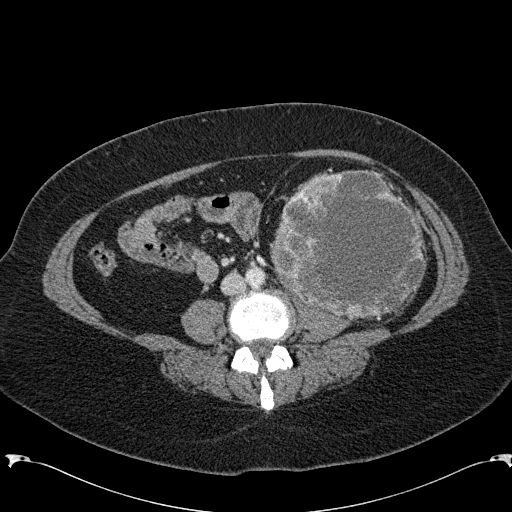
One axial slice (62 of 285, counting up from the lowest) of an arterial-phase abdominal CT acquired with 120 kVp, kernel B31f; each pixel is 0.762 mm and the slice is 2.00 mm thick.
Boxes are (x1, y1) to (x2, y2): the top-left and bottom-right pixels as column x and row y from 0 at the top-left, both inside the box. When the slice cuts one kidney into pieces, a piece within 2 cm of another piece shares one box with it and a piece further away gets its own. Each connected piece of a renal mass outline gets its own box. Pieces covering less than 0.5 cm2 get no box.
Box (270, 170) to (427, 319): left renal mass (outlined area 18,083 px, about 104.9 cm2); no kidney outline appears on this slice, but the same outlined renal mass comes within 1 cm of the kidney on another slice.